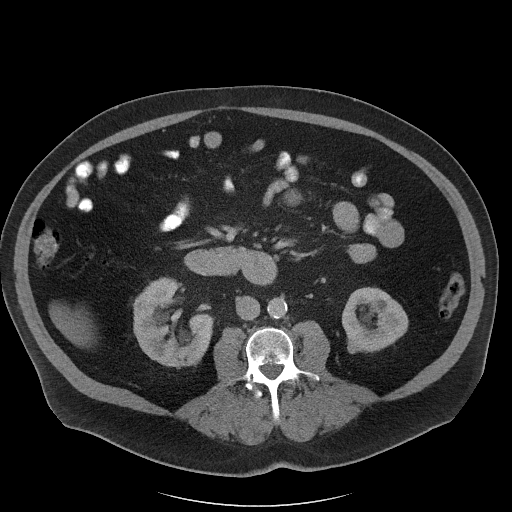
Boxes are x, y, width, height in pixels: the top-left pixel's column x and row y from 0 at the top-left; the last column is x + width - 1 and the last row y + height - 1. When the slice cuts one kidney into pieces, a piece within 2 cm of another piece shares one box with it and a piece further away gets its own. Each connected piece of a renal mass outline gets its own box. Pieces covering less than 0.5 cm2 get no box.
This is axial slice 57 of 102 (slice 1 is the lowest) of an abdominal CT with contrast; each pixel is 0.977 mm and the slice is 5.00 mm thick. Boxed on this slice (two kidney boxes), listed by box centre from the image's left to its right: (1) Box x 133, y 277, width 81, height 92: right kidney (outlined area 4,823 px, about 46.0 cm2). (2) Left kidney, box x 342, y 287, width 67, height 67 (outlined area 3,239 px, about 30.9 cm2). No renal mass outline on this slice.
Acquired at 120 kVp and reconstructed with the I40f kernel.